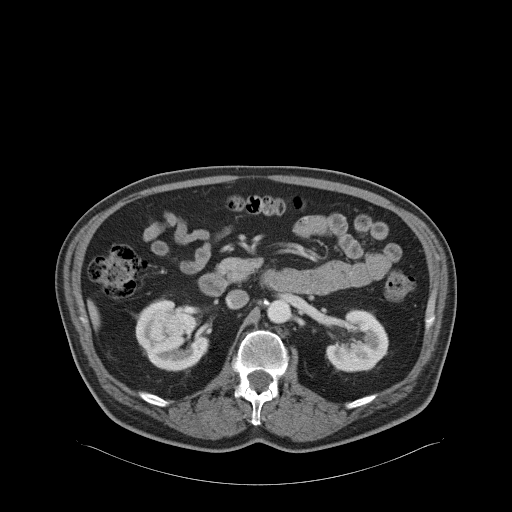
Arterial-phase contrast-enhanced abdominal CT, axial slice 37 of 68 (counted from the lowest slice); tube voltage 120 kVp, convolution kernel B31f; slices 5.00 mm thick, 0.961 mm per pixel.
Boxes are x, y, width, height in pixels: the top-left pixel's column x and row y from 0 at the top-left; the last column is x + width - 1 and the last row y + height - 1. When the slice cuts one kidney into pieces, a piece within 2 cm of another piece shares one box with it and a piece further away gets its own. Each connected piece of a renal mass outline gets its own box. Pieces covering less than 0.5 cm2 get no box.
Three boxes on this slice (two kidney boxes and one renal mass box), listed by box centre from the image's left to its right. (1) Right kidney at x 135, y 297, width 75, height 75 (outlined area 2,132 px, about 19.7 cm2). (2) Box x 146, y 304, width 57, height 49: right renal mass (outlined area 1,930 px, about 17.8 cm2). (3) Left kidney at x 325, y 309, width 64, height 64 (outlined area 2,874 px, about 26.5 cm2).